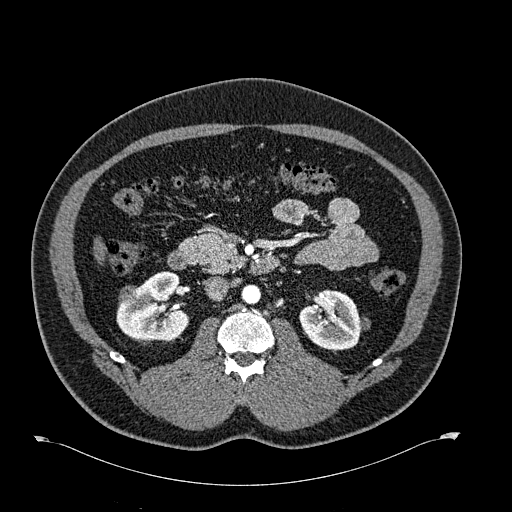
One axial slice (358 of 723, counting up from the lowest) of an arterial-phase abdominal CT acquired with 120 kVp, kernel B30f; each pixel is 0.895 mm and the slice is 1.00 mm thick.
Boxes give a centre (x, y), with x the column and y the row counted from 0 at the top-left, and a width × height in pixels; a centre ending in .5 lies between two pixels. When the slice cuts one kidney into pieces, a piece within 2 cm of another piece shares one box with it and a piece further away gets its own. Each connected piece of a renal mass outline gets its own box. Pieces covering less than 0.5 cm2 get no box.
Three boxes on this slice (two kidney boxes and one renal mass box), listed by box centre from the image's left to its right. (1) Right renal mass, box centre (128.5, 294.5), 20 × 20 pixels (outlined area 298 px, about 2.4 cm2). (2) Right kidney, box centre (153, 306.5), 75 × 72 pixels (outlined area 3,644 px, about 29.2 cm2). (3) Left kidney in a box with centre (334.5, 319.5), 72 × 62 pixels (outlined area 3,033 px, about 24.3 cm2).